One axial slice (66 of 274, counting up from the lowest) of an arterial-phase abdominal CT acquired with 120 kVp, kernel B30f; each pixel is 0.809 mm and the slice is 2.00 mm thick.
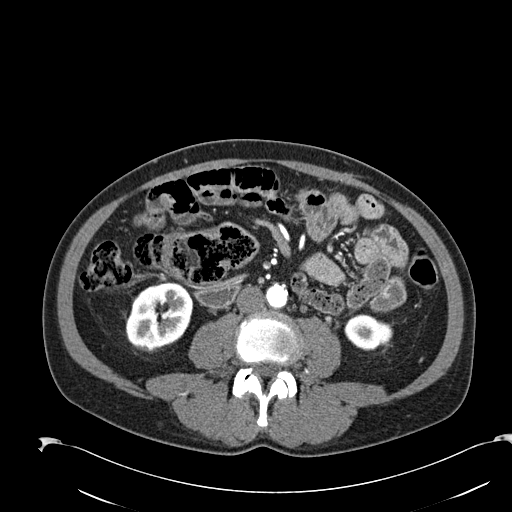
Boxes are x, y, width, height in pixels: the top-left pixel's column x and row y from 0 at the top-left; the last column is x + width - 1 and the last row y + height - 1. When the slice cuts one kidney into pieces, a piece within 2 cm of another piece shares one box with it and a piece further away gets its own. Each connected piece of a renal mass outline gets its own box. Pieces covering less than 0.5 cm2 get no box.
Two boxes on this slice (two kidney boxes), listed by box centre from the image's left to its right. (1) Right kidney, box x 124, y 282, width 69, height 69 (outlined area 3,545 px, about 23.2 cm2). (2) Left kidney at x 344, y 314, width 49, height 36 (outlined area 1,313 px, about 8.6 cm2). No renal mass is outlined on this slice.